One axial slice (257 of 383, counting up from the lowest) of an arterial-phase abdominal CT acquired with 100 kVp, kernel SOFT; each pixel is 0.898 mm and the slice is 1.25 mm thick.
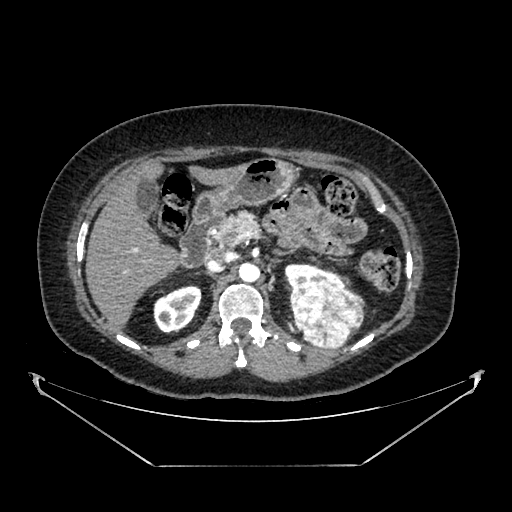
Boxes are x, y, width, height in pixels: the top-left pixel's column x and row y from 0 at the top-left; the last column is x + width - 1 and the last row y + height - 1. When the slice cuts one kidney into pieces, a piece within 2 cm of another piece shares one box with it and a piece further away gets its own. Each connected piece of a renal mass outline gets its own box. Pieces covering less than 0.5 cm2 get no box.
Three boxes on this slice (two kidney boxes and one renal mass box), listed by box centre from the image's left to its right. (1) Box x 153, y 286, width 49, height 47: right kidney (outlined area 1,626 px, about 13.1 cm2). (2) Left kidney, box x 284, y 263, width 65, height 26 (outlined area 963 px, about 7.8 cm2). (3) Left renal mass, box x 290, y 282, width 76, height 69 (outlined area 3,957 px, about 31.9 cm2).